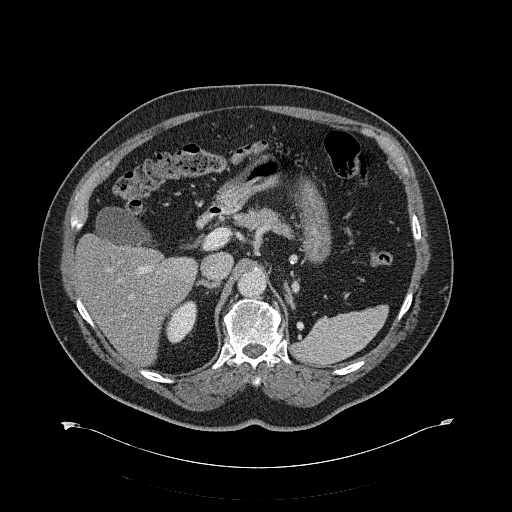
Axial slice 425 of 734 of a contrast-enhanced abdominal CT (slice 1 is the lowest), 120 kVp, kernel B31f; 2.00 mm slice thickness and 0.971 mm pixels.
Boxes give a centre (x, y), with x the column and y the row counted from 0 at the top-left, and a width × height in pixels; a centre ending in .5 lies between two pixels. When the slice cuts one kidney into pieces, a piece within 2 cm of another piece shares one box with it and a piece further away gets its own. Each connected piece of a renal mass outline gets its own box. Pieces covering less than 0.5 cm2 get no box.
Right kidney in a box with centre (181, 321.5), 33 × 44 pixels (outlined area 943 px, about 8.9 cm2). No renal mass is outlined on this slice.